Arterial-phase contrast-enhanced abdominal CT, axial slice 67 of 129 (counted from the lowest slice); tube voltage 100 kVp, convolution kernel I41f; slices 3.00 mm thick, 0.779 mm per pixel.
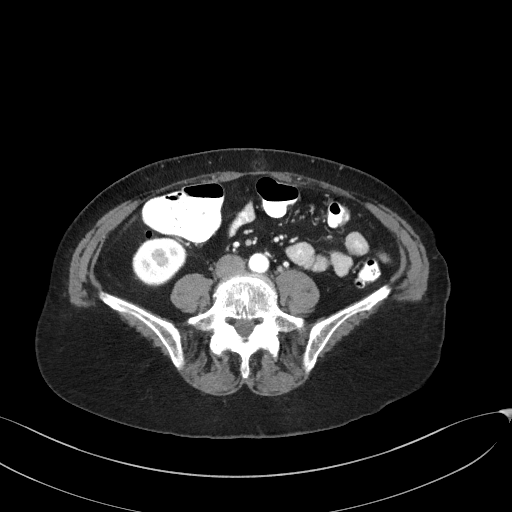
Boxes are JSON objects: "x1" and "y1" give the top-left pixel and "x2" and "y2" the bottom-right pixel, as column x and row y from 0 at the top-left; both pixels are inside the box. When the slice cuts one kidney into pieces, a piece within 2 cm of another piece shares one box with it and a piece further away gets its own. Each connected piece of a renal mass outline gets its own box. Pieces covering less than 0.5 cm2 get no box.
Right kidney at {"x1": 132, "y1": 238, "x2": 187, "y2": 286} (outlined area 2,100 px, about 12.8 cm2). This slice carries no renal mass outline.